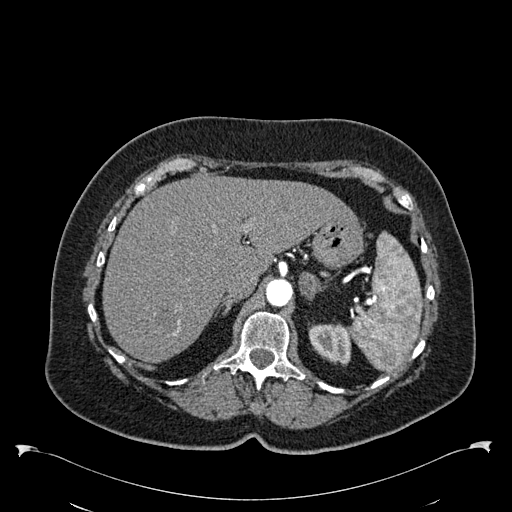
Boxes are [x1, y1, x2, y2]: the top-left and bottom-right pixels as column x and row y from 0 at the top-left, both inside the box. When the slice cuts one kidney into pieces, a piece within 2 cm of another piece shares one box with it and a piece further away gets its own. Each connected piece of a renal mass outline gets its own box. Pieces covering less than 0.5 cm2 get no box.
This is axial slice 432 of 538 (slice 1 is the lowest) of an arterial-phase abdominal CT with contrast; each pixel is 0.811 mm and the slice is 1.00 mm thick. Left kidney at [308, 323, 351, 365] (outlined area 1,405 px, about 9.2 cm2). No renal mass outline on this slice.
Scan settings: 120 kVp, B30f reconstruction kernel.